Arterial-phase contrast-enhanced abdominal CT, axial slice 110 of 326 (counted from the lowest slice); tube voltage 120 kVp, convolution kernel B31f; slices 2.00 mm thick, 0.963 mm per pixel.
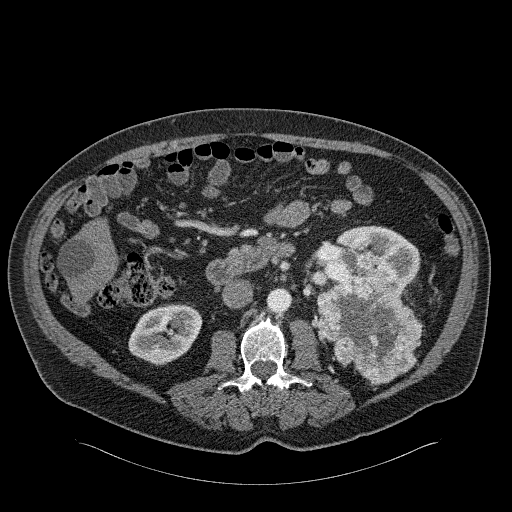
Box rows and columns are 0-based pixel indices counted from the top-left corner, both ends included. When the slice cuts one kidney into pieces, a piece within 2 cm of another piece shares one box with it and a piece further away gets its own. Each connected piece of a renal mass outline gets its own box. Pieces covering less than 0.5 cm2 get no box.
Two kidney boxes and one renal mass box on this slice; by box centre, from the image's left to its right: (1) Right kidney, box rows 303–365, columns 128–201 (outlined area 3,302 px, about 30.6 cm2). (2) Left renal mass at rows 250–383, columns 316–421 (outlined area 8,705 px, about 80.7 cm2). (3) Left kidney, box rows 225–295, columns 319–420 (outlined area 4,015 px, about 37.2 cm2).